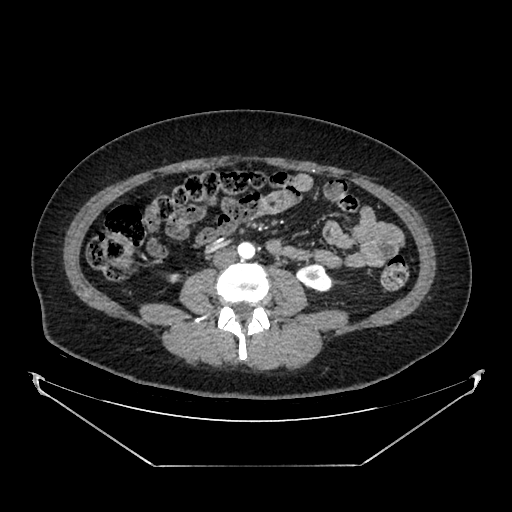
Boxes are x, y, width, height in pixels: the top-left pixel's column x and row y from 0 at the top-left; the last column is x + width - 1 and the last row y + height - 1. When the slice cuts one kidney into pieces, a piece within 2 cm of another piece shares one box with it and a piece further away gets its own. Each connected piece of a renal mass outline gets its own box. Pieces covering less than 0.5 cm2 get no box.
This is axial slice 187 of 383 (slice 1 is the lowest) of an arterial-phase abdominal CT with contrast; each pixel is 0.898 mm and the slice is 1.25 mm thick. Two kidney boxes on this slice; by box centre, from the image's left to its right: (1) Right kidney, box x 168, y 273, width 14, height 10 (outlined area 100 px, about 0.8 cm2). (2) Left kidney, box x 296, y 263, width 38, height 30 (outlined area 752 px, about 6.1 cm2). No renal mass outline on this slice.
Tube voltage 100 kVp; convolution kernel SOFT.